Abdominal CT with intravenous contrast, arterial phase, axial plane, 100 kVp, kernel I40f. Slice 20/32 from the bottom of the scan; thickness 5.00 mm; pixel size 0.779 mm.
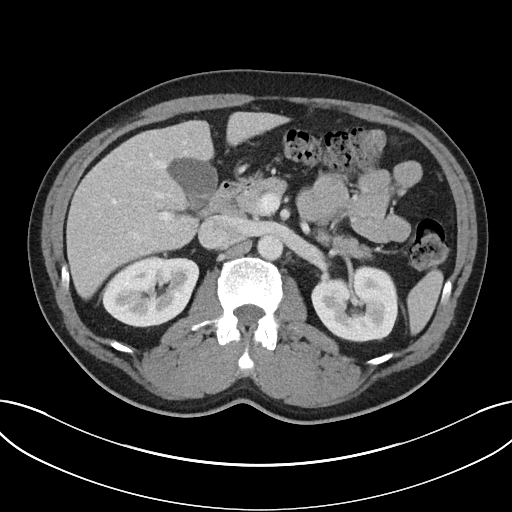
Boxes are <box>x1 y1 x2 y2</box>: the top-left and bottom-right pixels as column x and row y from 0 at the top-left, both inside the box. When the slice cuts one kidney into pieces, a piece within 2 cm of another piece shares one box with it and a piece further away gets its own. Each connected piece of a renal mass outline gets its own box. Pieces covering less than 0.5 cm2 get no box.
Two kidney boxes on this slice; by box centre, from the image's left to its right: (1) Right kidney at <box>102 255 199 327</box> (outlined area 5,282 px, about 32.1 cm2). (2) Left kidney at <box>311 264 398 342</box> (outlined area 5,229 px, about 31.8 cm2). No renal mass is outlined on this slice.